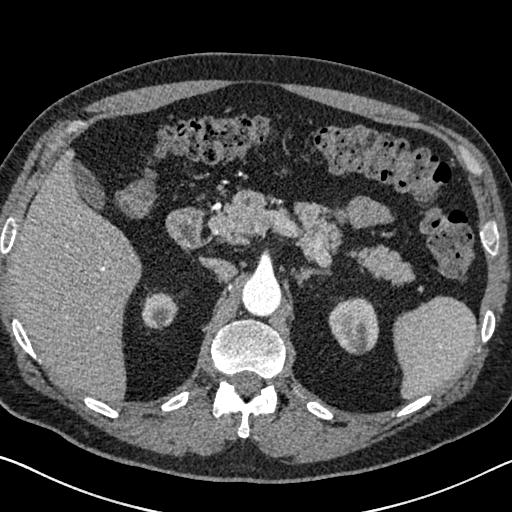
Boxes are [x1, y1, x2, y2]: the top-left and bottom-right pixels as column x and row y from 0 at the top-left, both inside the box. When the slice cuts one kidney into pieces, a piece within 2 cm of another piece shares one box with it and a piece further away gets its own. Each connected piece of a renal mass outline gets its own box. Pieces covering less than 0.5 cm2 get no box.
This is axial slice 477 of 626 (slice 1 is the lowest) of an arterial-phase abdominal CT with contrast; each pixel is 0.703 mm and the slice is 1.00 mm thick. Boxed on this slice (two kidney boxes), listed by box centre from the image's left to its right: (1) Box [141, 292, 178, 329]: right kidney (outlined area 1,063 px, about 5.3 cm2). (2) Left kidney, box [328, 297, 378, 354] (outlined area 2,250 px, about 11.1 cm2). This slice carries no renal mass outline.
Tube voltage 120 kVp; convolution kernel I30f.